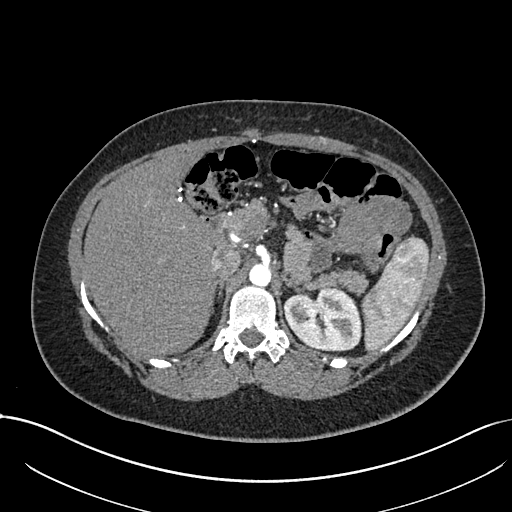
Arterial-phase contrast-enhanced abdominal CT, axial slice 514 of 738 (counted from the lowest slice); tube voltage 120 kVp, convolution kernel I30f; slices 1.00 mm thick, 0.789 mm per pixel.
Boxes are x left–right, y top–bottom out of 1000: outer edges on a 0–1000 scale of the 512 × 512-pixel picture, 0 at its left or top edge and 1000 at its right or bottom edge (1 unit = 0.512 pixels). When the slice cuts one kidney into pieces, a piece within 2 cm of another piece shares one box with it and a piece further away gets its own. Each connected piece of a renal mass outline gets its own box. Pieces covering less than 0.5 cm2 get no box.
Left kidney, box x 551–707, y 559–688 out of 1000 (outlined area 4,003 px, about 24.9 cm2). This slice carries no renal mass outline.